Arterial-phase contrast-enhanced abdominal CT, axial slice 464 of 634 (counted from the lowest slice); tube voltage 120 kVp, convolution kernel B20f; slices 1.00 mm thick, 0.838 mm per pixel.
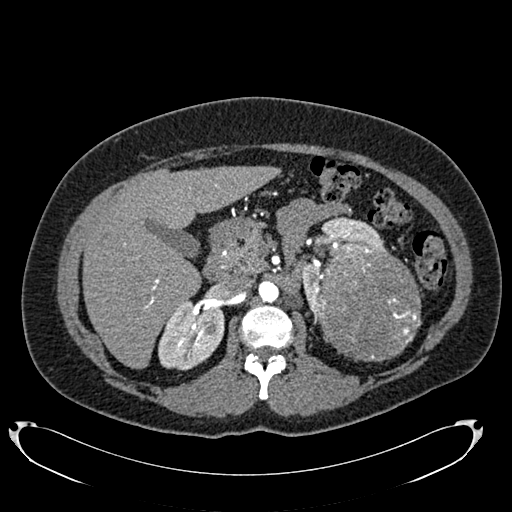
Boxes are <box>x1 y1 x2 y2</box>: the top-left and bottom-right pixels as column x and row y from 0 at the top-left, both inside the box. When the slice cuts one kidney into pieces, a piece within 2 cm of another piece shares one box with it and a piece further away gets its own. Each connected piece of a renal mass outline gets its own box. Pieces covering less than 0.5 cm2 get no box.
Boxed on this slice (two kidney boxes and one renal mass box), listed by box centre from the image's left to its right: (1) Right kidney at <box>158 299 224 370</box> (outlined area 3,573 px, about 25.1 cm2). (2) At <box>299 216 384 313</box>: left kidney (outlined area 2,514 px, about 17.6 cm2). (3) At <box>314 243 421 361</box>: left renal mass (outlined area 10,094 px, about 70.9 cm2).